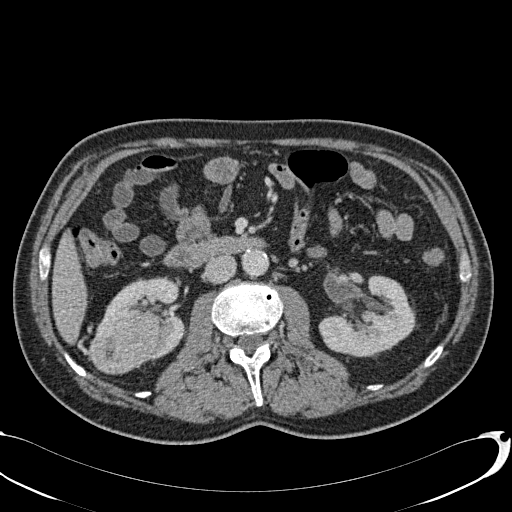
Contrast-enhanced abdominal CT, axial slice 36 of 113 (counted from the lowest slice); tube voltage 120 kVp, convolution kernel B31f; slices 2.00 mm thick, 0.742 mm per pixel.
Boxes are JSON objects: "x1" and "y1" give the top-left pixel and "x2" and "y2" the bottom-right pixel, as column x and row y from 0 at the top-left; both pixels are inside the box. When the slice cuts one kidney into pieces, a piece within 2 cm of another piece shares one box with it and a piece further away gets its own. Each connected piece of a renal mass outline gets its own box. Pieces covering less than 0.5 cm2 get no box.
Three boxes on this slice (two kidney boxes and one renal mass box), listed by box centre from the image's left to its right. (1) Right renal mass, box {"x1": 88, "y1": 309, "x2": 164, "y2": 374} (outlined area 3,747 px, about 20.6 cm2). (2) Box {"x1": 104, "y1": 276, "x2": 186, "y2": 362}: right kidney (outlined area 2,966 px, about 16.3 cm2). (3) Left kidney, box {"x1": 318, "y1": 275, "x2": 415, "y2": 356} (outlined area 5,305 px, about 29.2 cm2).